Axial slice 242 of 389 of a contrast-enhanced abdominal CT in the arterial phase (slice 1 is the lowest), 120 kVp, kernel STANDARD; 1.25 mm slice thickness and 0.869 mm pixels.
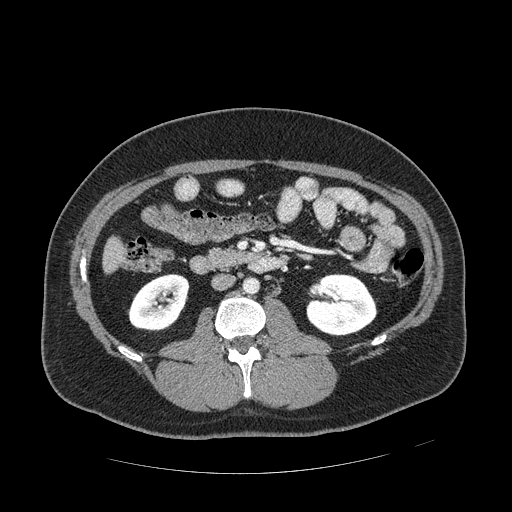
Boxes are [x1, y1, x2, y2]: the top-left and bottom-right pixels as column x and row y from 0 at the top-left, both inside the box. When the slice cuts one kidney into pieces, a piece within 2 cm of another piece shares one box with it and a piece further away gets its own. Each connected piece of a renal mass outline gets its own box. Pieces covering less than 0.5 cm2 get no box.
Boxed on this slice (two kidney boxes), listed by box centre from the image's left to its right: (1) Box [127, 273, 189, 331]: right kidney (outlined area 2,643 px, about 20.0 cm2). (2) Box [306, 273, 377, 336]: left kidney (outlined area 3,452 px, about 26.1 cm2). No renal mass outline on this slice.